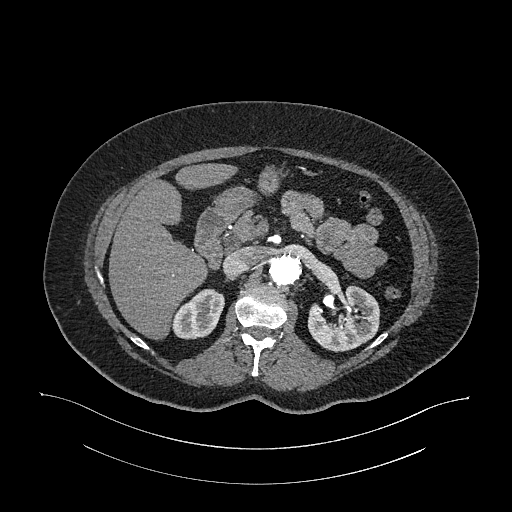
Arterial-phase contrast-enhanced abdominal CT, axial slice 705 of 987 (counted from the lowest slice); tube voltage 120 kVp, convolution kernel I26f; slices 1.00 mm thick, 0.977 mm per pixel.
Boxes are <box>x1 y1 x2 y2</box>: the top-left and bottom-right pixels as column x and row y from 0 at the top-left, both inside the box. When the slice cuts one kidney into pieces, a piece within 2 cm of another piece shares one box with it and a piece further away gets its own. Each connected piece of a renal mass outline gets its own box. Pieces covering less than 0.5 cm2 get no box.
Two kidney boxes on this slice; by box centre, from the image's left to its right: (1) Right kidney at <box>171 288 224 339</box> (outlined area 1,912 px, about 18.2 cm2). (2) Left kidney: <box>307 284 379 351</box> (outlined area 3,438 px, about 32.8 cm2). No renal mass is outlined on this slice.